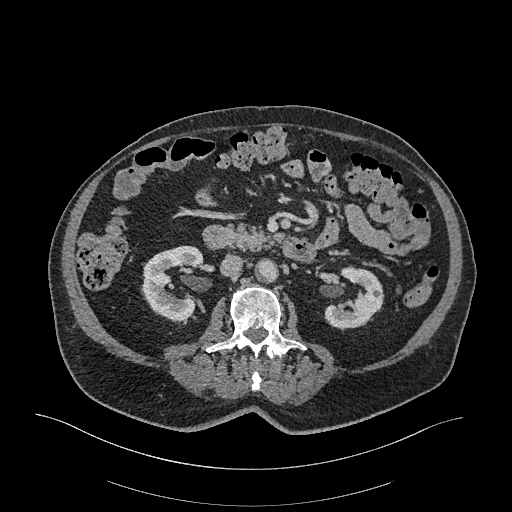
Axial slice 146 of 470 of a contrast-enhanced abdominal CT in the arterial phase (slice 1 is the lowest), 120 kVp, kernel I26f; 1.00 mm slice thickness and 0.938 mm pixels.
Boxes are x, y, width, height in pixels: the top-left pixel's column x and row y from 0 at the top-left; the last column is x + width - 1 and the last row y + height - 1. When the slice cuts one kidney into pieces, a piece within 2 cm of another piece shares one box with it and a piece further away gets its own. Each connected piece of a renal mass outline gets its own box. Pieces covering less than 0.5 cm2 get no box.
Two boxes on this slice (two kidney boxes), listed by box centre from the image's left to its right. (1) Right kidney at x 141, y 245, width 63, height 77 (outlined area 3,241 px, about 28.5 cm2). (2) Left kidney at x 324, y 265, width 61, height 66 (outlined area 2,447 px, about 21.5 cm2). This slice carries no renal mass outline.